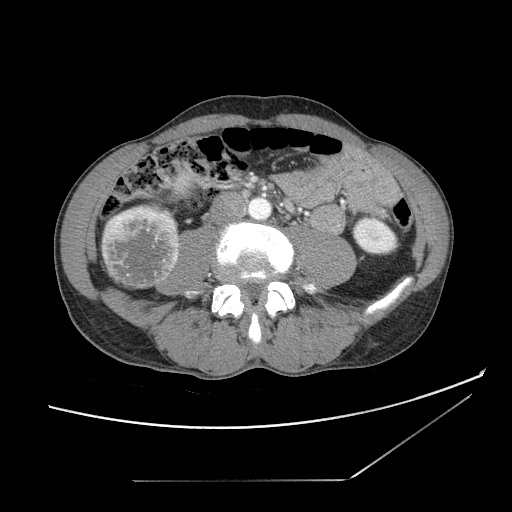
Abdominal CT with intravenous contrast, axial plane, 120 kVp, kernel STANDARD. Slice 37/121 from the bottom of the scan; thickness 2.50 mm; pixel size 0.742 mm.
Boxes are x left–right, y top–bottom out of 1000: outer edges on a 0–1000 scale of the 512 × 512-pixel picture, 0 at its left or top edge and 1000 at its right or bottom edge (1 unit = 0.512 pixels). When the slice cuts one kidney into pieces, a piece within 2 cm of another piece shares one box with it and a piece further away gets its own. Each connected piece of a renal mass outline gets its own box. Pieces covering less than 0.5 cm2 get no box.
Boxed on this slice (two kidney boxes and one renal mass box), listed by box centre from the image's left to its right: (1) Right renal mass, box x 197–352, y 398–563 out of 1000 (outlined area 5,246 px, about 28.9 cm2). (2) Right kidney at x 275–381, y 332–430 out of 1000 (outlined area 574 px, about 3.2 cm2). (3) Left kidney at x 688–783, y 422–500 out of 1000 (outlined area 1,436 px, about 7.9 cm2).